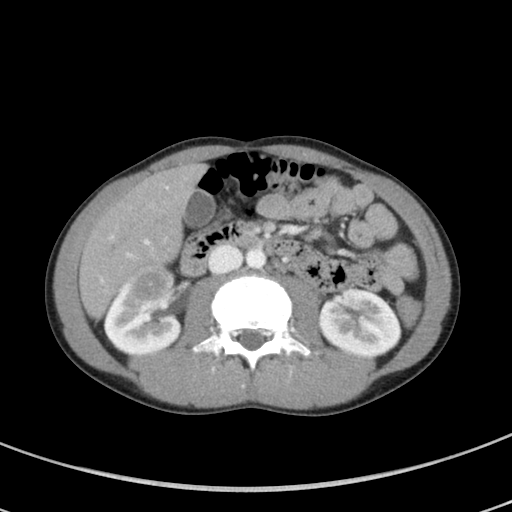
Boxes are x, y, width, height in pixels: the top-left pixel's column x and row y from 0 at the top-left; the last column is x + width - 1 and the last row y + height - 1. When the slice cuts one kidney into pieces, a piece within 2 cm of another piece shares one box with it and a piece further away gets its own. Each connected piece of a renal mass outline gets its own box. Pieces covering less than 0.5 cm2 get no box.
Slice 37/94 of a contrast-enhanced abdominal CT in the arterial phase, counting up from the lowest; pixel size 0.551 mm, slice thickness 5.00 mm. Boxed on this slice (two kidney boxes and one renal mass box), listed by box centre from the image's left to its right: (1) Box x 104, y 278, width 79, height 77: right kidney (outlined area 4,089 px, about 12.4 cm2). (2) Right renal mass, box x 130, y 265, width 47, height 36 (outlined area 1,300 px, about 3.9 cm2). (3) Left kidney, box x 319, y 288, width 83, height 69 (outlined area 4,409 px, about 13.4 cm2).
Scan settings: 100 kVp, I41f reconstruction kernel.